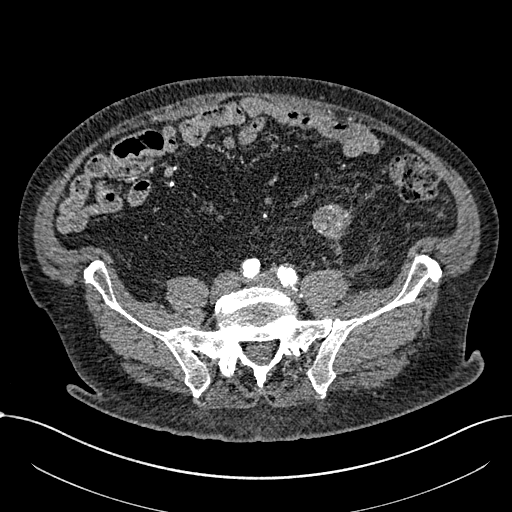
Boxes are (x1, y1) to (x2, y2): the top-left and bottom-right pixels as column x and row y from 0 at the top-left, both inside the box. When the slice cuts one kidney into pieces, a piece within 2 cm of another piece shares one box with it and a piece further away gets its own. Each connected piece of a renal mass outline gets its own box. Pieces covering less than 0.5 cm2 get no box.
Slice 161/1059 of a contrast-enhanced abdominal CT in the arterial phase, counting up from the lowest; pixel size 0.811 mm, slice thickness 1.00 mm. Renal mass from (311, 203) to (351, 243) (outlined area 1,091 px, about 7.2 cm2); no kidney is outlined on this slice, but the same outlined renal mass comes within 1 cm of the kidney on another slice.
Scan settings: 100 kVp, I30f reconstruction kernel.